Abdominal CT with intravenous contrast, arterial phase, axial plane, 140 kVp, kernel I30f. Slice 328/591 from the bottom of the scan; thickness 1.00 mm; pixel size 0.703 mm.
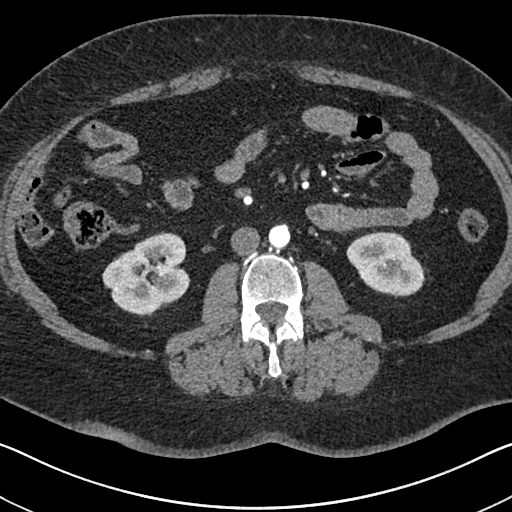
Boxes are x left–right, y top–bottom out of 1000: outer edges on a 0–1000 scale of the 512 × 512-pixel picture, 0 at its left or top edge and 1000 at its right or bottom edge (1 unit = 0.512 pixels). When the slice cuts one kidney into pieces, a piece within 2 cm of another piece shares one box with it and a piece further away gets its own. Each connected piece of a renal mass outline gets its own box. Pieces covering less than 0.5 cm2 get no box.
Two boxes on this slice (two kidney boxes), listed by box centre from the image's left to its right. (1) Right kidney at x 199–373, y 451–619 out of 1000 (outlined area 5,183 px, about 25.6 cm2). (2) Box x 676–832, y 451–582 out of 1000: left kidney (outlined area 3,718 px, about 18.4 cm2). No renal mass outline on this slice.